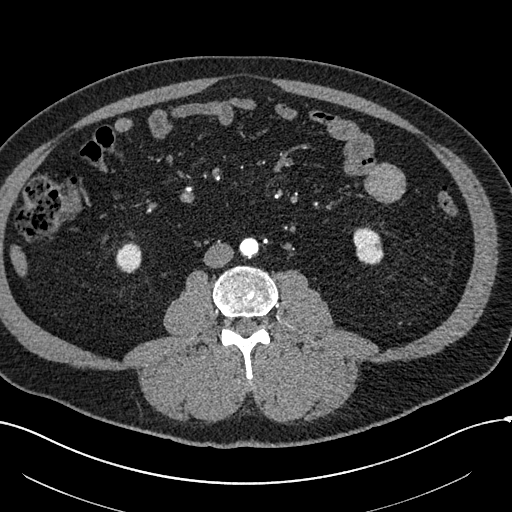
Axial slice 213 of 602 of a contrast-enhanced abdominal CT in the arterial phase (slice 1 is the lowest), 120 kVp, kernel I30f; 1.00 mm slice thickness and 0.799 mm pixels.
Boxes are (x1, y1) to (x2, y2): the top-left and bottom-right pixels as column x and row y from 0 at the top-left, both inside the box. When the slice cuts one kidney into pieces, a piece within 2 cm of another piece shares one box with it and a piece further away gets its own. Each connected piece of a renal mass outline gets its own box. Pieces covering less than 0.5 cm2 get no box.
Boxed on this slice (two kidney boxes), listed by box centre from the image's left to its right: (1) Right kidney from (115, 242) to (141, 273) (outlined area 653 px, about 4.2 cm2). (2) Box (353, 227) to (383, 264): left kidney (outlined area 914 px, about 5.8 cm2). No renal mass outline on this slice.